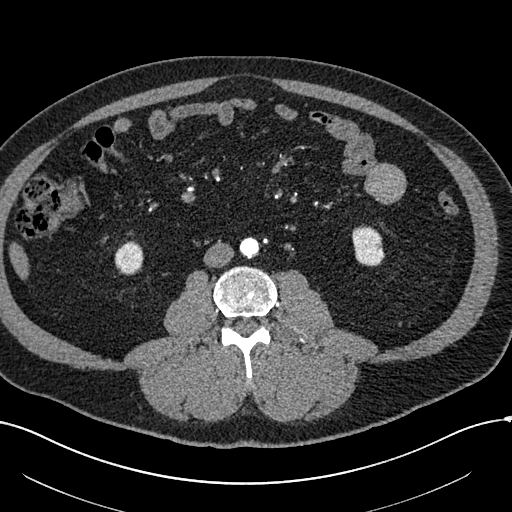
Axial slice 215 of 602 of a contrast-enhanced abdominal CT in the arterial phase (slice 1 is the lowest), 120 kVp, kernel I30f; 1.00 mm slice thickness and 0.799 mm pixels.
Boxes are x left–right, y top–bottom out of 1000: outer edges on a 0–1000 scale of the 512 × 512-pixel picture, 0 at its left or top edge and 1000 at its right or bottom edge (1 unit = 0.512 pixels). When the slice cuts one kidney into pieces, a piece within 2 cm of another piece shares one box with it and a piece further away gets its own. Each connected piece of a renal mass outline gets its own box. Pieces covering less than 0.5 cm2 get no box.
Two boxes on this slice (two kidney boxes), listed by box centre from the image's left to its right. (1) Right kidney at x 223–281, y 471–539 out of 1000 (outlined area 806 px, about 5.1 cm2). (2) Left kidney at x 688–752, y 438–521 out of 1000 (outlined area 1,081 px, about 6.9 cm2). No renal mass outline on this slice.